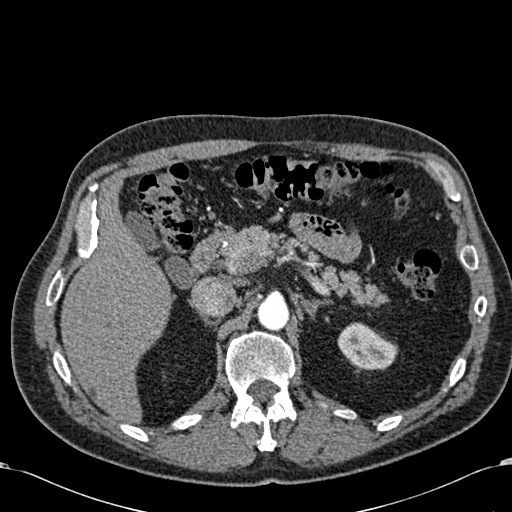
Arterial-phase contrast-enhanced abdominal CT, axial slice 433 of 581 (counted from the lowest slice); tube voltage 120 kVp, convolution kernel B30f; slices 1.00 mm thick, 0.713 mm per pixel.
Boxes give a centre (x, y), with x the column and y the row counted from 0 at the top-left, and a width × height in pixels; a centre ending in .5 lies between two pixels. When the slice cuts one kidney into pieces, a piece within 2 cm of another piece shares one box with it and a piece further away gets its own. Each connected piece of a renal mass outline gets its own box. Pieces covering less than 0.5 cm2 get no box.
Left kidney, box centre (367.5, 346), 62 × 49 pixels (outlined area 2,043 px, about 10.4 cm2). No renal mass outline on this slice.